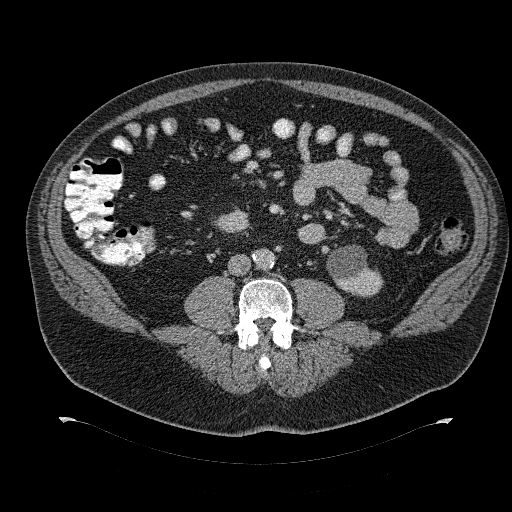
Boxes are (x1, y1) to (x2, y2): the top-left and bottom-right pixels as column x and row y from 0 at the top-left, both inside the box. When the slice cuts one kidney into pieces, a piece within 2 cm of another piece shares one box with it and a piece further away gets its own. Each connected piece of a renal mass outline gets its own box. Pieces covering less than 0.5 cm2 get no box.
Contrast-enhanced abdominal CT, axial slice 151 of 274 (counted from the lowest slice); 2.00 mm thick, 0.977 mm per pixel. Box (326, 245) to (382, 297): left kidney (outlined area 2,034 px, about 19.4 cm2). This slice carries no renal mass outline.
Scan settings: 120 kVp, B31f reconstruction kernel.